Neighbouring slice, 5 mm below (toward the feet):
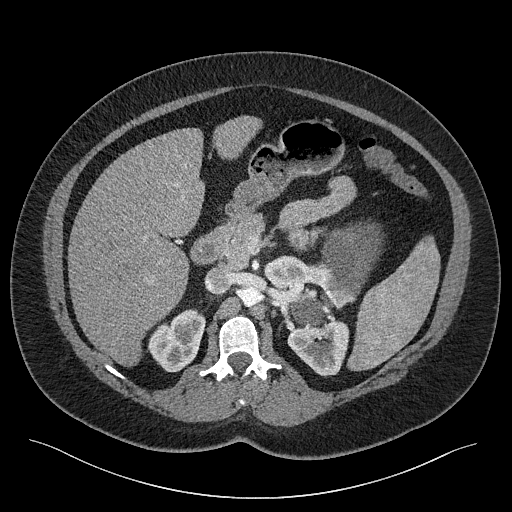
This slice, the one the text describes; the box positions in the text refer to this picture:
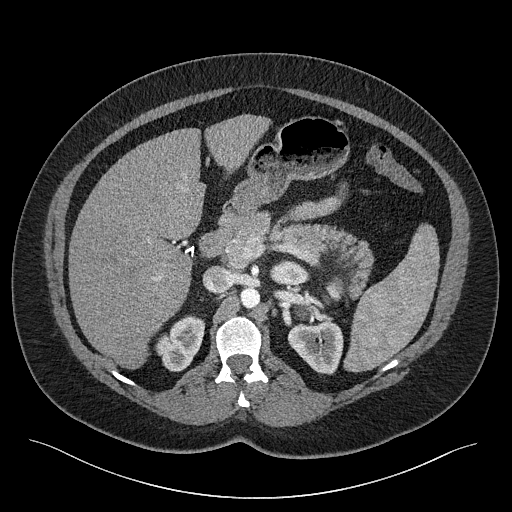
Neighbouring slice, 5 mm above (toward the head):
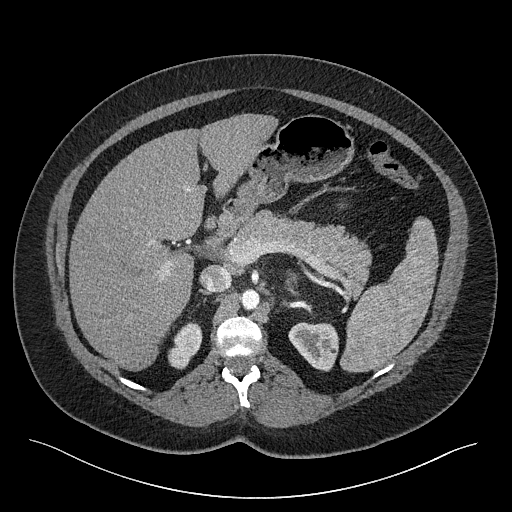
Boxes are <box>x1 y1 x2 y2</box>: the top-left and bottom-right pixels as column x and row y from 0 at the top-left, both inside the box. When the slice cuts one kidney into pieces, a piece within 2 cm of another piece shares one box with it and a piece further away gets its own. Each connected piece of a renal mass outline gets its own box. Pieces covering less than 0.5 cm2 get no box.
Slice 163/301 of a contrast-enhanced abdominal CT, counting up from the lowest; pixel size 0.859 mm, slice thickness 2.00 mm. Boxed on this slice (three kidney boxes and one renal mass box), listed by box centre from the image's left to its right: (1) Right kidney at <box>156 315 205 371</box> (outlined area 1,883 px, about 13.9 cm2). (2) Left kidney (one of two boxed parts) at <box>271 260 309 288</box> (outlined area 784 px, about 5.8 cm2). (3) At <box>297 305 312 316</box>: left renal mass (outlined area 144 px, about 1.1 cm2). (4) Left kidney (one of two boxed parts): <box>287 322 343 374</box> (outlined area 2,190 px, about 16.2 cm2). This slice is near the end of the left renal mass toward the head, so the slices 5 mm below and 5 mm above it are shown as well; the boxes refer to this slice only.
Scan settings: 120 kVp, I40f reconstruction kernel.